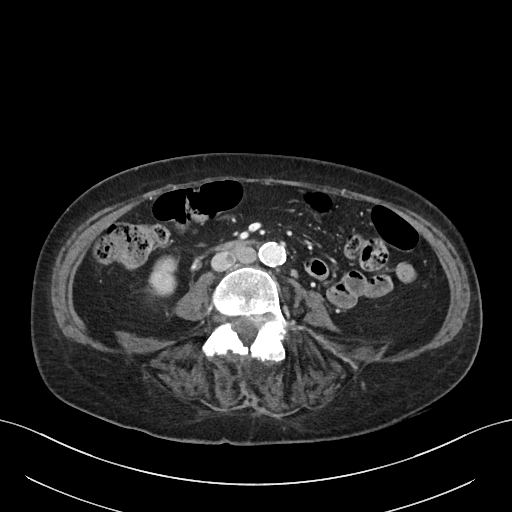
One axial slice (17 of 76, counting up from the lowest) of a contrast-enhanced abdominal CT acquired with 100 kVp, kernel I40f; each pixel is 0.768 mm and the slice is 3.00 mm thick.
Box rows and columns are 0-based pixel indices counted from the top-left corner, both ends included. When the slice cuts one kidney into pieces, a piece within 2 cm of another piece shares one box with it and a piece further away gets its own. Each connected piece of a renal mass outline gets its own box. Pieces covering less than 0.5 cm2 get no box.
Right kidney at rows 255–297, columns 147–177 (outlined area 986 px, about 5.8 cm2). This slice carries no renal mass outline.